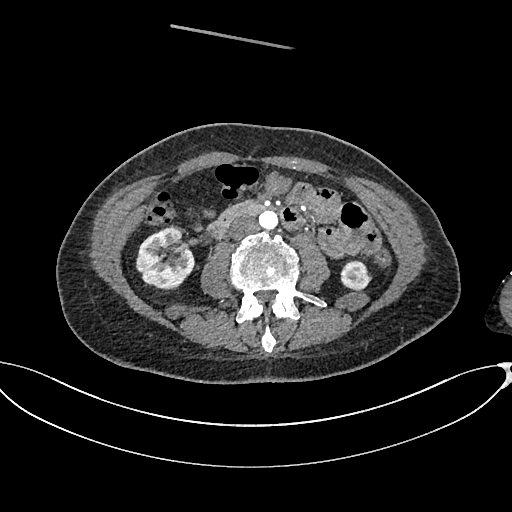
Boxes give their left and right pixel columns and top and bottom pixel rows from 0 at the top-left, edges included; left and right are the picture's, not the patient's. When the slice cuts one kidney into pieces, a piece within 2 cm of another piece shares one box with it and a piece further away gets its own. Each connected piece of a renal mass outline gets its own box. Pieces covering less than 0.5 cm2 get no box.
Arterial-phase contrast-enhanced abdominal CT, axial slice 319 of 665 (counted from the lowest slice); 1.00 mm thick, 0.828 mm per pixel. Boxed on this slice (two kidney boxes), listed by box centre from the image's left to its right: (1) Box with left 135, top 228, right 194, bottom 290: right kidney (outlined area 2,773 px, about 19.0 cm2). (2) Left kidney, the box with left 340, top 260, right 371, bottom 291 (outlined area 746 px, about 5.1 cm2). No renal mass outline on this slice.
Tube voltage 100 kVp; convolution kernel I26f.